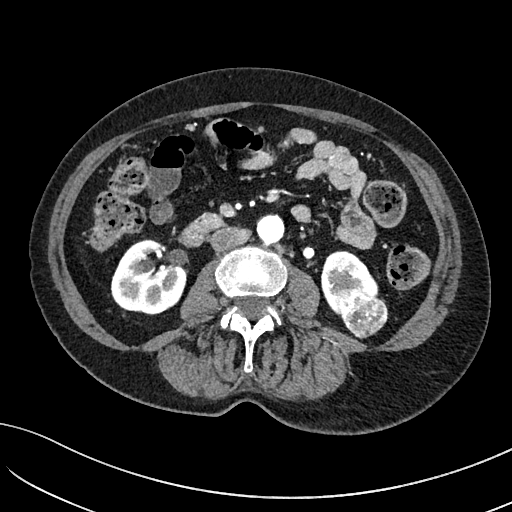
One axial slice (38 of 234, counting up from the lowest) of an arterial-phase abdominal CT acquired with 100 kVp, kernel I40f; each pixel is 0.699 mm and the slice is 2.00 mm thick.
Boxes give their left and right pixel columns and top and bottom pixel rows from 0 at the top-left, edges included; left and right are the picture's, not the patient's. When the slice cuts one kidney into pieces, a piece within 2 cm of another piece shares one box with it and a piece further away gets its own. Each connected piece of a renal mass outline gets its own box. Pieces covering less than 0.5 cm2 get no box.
Two kidney boxes and one renal mass box on this slice; by box centre, from the image's left to its right: (1) Right kidney in the box with left 110, top 239, right 186, bottom 314 (outlined area 4,239 px, about 20.7 cm2). (2) Left kidney, the box with left 321, top 250, right 378, bottom 314 (outlined area 2,108 px, about 10.3 cm2). (3) Left renal mass, the box with left 338, top 291, right 388, bottom 338 (outlined area 1,817 px, about 8.9 cm2).